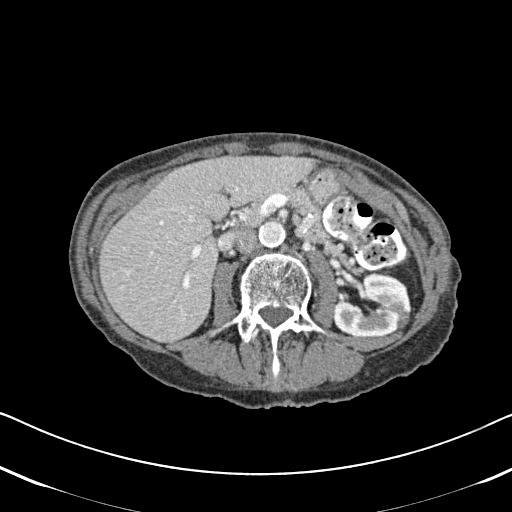
Abdominal CT with intravenous contrast, arterial phase, axial plane, 120 kVp, kernel B31f. Slice 292/620 from the bottom of the scan; thickness 2.00 mm; pixel size 0.637 mm.
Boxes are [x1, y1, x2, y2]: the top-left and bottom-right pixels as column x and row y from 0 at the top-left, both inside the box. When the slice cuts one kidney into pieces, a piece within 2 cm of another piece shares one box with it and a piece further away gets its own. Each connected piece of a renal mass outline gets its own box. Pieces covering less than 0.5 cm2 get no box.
Left kidney at [333, 272, 412, 338] (outlined area 3,770 px, about 15.3 cm2). No renal mass outline on this slice.